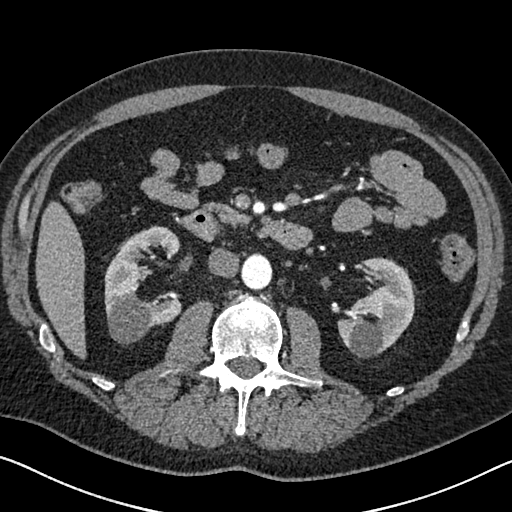
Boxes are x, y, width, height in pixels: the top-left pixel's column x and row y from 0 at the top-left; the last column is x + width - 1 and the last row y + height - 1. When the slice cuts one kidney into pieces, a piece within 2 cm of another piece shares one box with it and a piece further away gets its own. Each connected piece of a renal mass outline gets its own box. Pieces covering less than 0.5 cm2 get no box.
Slice 370/626 of a contrast-enhanced abdominal CT in the arterial phase, counting up from the lowest; pixel size 0.703 mm, slice thickness 1.00 mm. Two boxes on this slice (two kidney boxes), listed by box centre from the image's left to its right. (1) Right kidney at x 104, y 225, width 79, height 120 (outlined area 5,733 px, about 28.3 cm2). (2) Left kidney, box x 336, y 257, width 79, height 101 (outlined area 5,117 px, about 25.3 cm2). No renal mass is outlined on this slice.
Scan settings: 120 kVp, I30f reconstruction kernel.